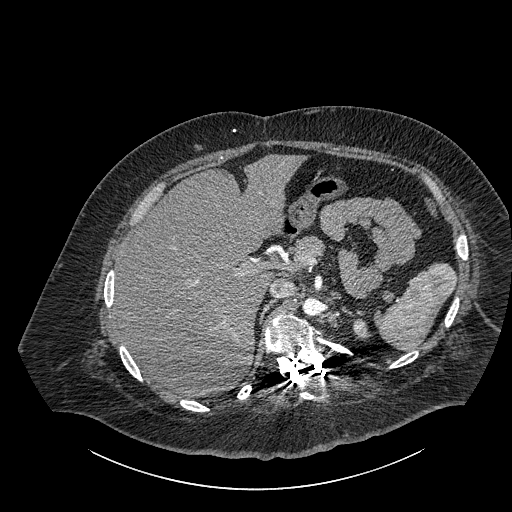
Contrast-enhanced abdominal CT, axial slice 649 of 834 (counted from the lowest slice); tube voltage 140 kVp, convolution kernel I30f; slices 1.00 mm thick, 0.977 mm per pixel.
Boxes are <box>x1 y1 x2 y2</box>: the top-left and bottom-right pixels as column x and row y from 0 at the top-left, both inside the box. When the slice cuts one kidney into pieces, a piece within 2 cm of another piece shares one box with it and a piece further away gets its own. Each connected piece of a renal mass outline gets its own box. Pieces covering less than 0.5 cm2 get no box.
At <box>352 318 371 339</box>: left part of the midline-crossing kidney (outlined area 293 px, about 2.8 cm2). This slice carries no renal mass outline.